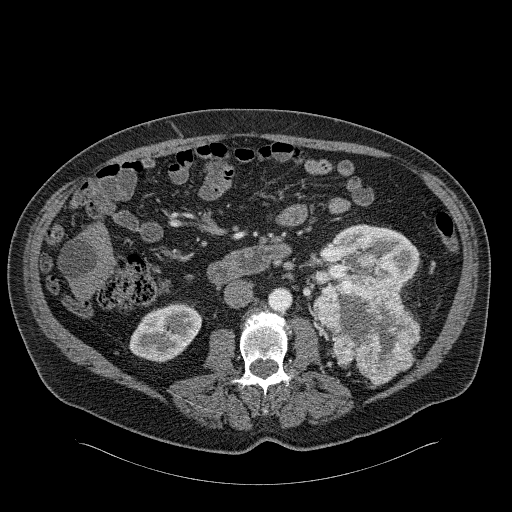
Arterial-phase contrast-enhanced abdominal CT, axial slice 106 of 326 (counted from the lowest slice); tube voltage 120 kVp, convolution kernel B31f; slices 2.00 mm thick, 0.963 mm per pixel.
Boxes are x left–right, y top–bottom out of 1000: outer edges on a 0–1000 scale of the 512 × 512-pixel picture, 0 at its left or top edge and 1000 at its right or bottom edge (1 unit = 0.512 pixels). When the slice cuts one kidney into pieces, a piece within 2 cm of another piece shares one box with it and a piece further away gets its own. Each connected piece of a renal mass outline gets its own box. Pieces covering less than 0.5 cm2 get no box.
Two kidney boxes and two renal mass boxes on this slice; by box centre, from the image's left to its right: (1) Right kidney, box x 252–395, y 590–709 out of 1000 (outlined area 3,073 px, about 28.5 cm2). (2) Box x 609–822, y 531–752 out of 1000: left renal mass (outlined area 8,107 px, about 75.2 cm2). (3) Left kidney at x 621–820, y 438–568 out of 1000 (outlined area 4,293 px, about 39.8 cm2). (4) Left renal mass, box x 705–742, y 494–525 out of 1000 (outlined area 231 px, about 2.1 cm2).